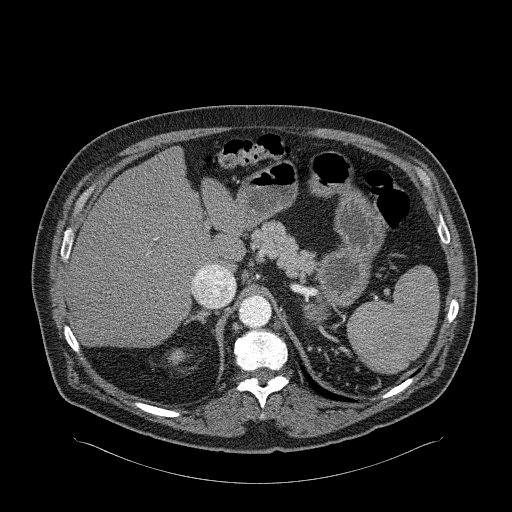
One axial slice (204 of 326, counting up from the lowest) of an arterial-phase abdominal CT acquired with 120 kVp, kernel B31f; each pixel is 0.963 mm and the slice is 2.00 mm thick.
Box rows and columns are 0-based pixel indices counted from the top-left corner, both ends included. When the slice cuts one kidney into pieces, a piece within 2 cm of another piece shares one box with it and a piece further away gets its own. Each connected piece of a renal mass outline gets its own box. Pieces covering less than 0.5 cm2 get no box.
Right kidney at rows 348–365, columns 168–189 (outlined area 238 px, about 2.2 cm2). No renal mass outline on this slice.